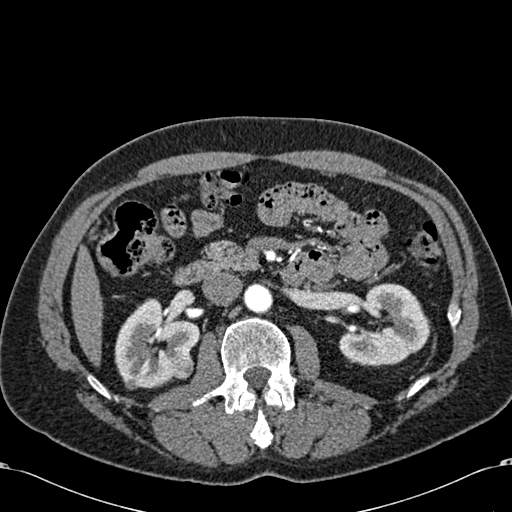
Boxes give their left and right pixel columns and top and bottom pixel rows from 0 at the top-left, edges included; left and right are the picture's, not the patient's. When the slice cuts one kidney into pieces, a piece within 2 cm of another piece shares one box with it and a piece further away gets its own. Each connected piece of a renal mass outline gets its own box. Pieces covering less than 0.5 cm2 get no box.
This is axial slice 355 of 581 (slice 1 is the lowest) of an arterial-phase abdominal CT with contrast; each pixel is 0.713 mm and the slice is 1.00 mm thick. Boxed on this slice (two kidney boxes and one renal mass box), listed by box centre from the image's left to its right: (1) Right kidney, the box with left 114, top 298, right 199, bottom 388 (outlined area 5,077 px, about 25.8 cm2). (2) Right renal mass in the box with left 168, top 352, right 193, bottom 379 (outlined area 577 px, about 2.9 cm2). (3) Left kidney, the box with left 339, top 283, right 429, bottom 366 (outlined area 5,148 px, about 26.2 cm2).
Scan settings: 120 kVp, B30f reconstruction kernel.